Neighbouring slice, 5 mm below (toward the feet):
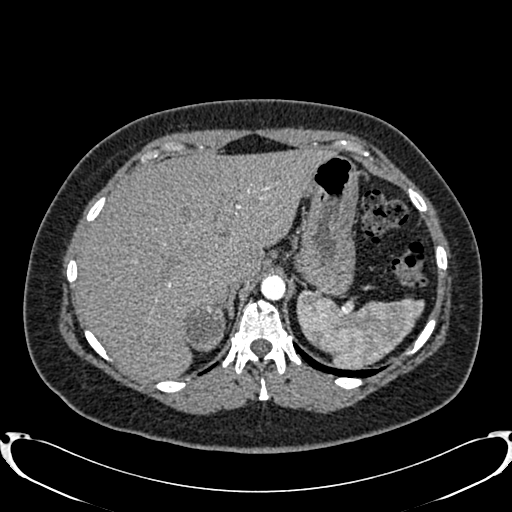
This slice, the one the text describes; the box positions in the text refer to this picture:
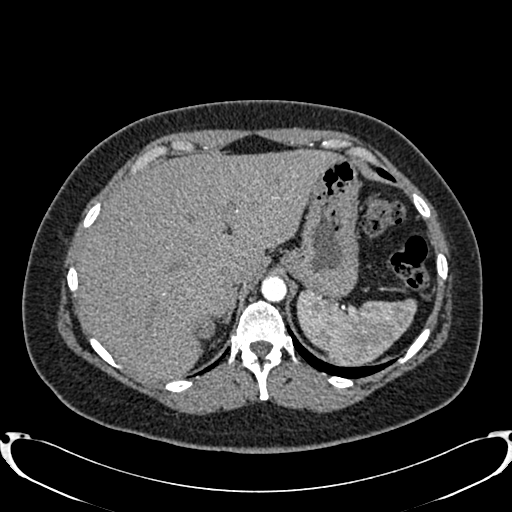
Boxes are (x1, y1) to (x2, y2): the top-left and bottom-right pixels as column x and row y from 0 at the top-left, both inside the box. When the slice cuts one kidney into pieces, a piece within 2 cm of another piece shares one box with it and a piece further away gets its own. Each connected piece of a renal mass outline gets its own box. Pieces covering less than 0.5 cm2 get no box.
Arterial-phase contrast-enhanced abdominal CT, axial slice 642 of 719 (counted from the lowest slice); 1.00 mm thick, 0.766 mm per pixel. Box (194, 317) to (215, 341): right renal mass (outlined area 356 px, about 2.1 cm2); this slice has no kidney outline, though on another slice the same outlined renal mass lies within 1 cm of the kidney. This slice is near the end of the right renal mass toward the head, so the slice 5 mm below it is shown as well; the boxes refer to this slice only.
Scan settings: 120 kVp, B20f reconstruction kernel.